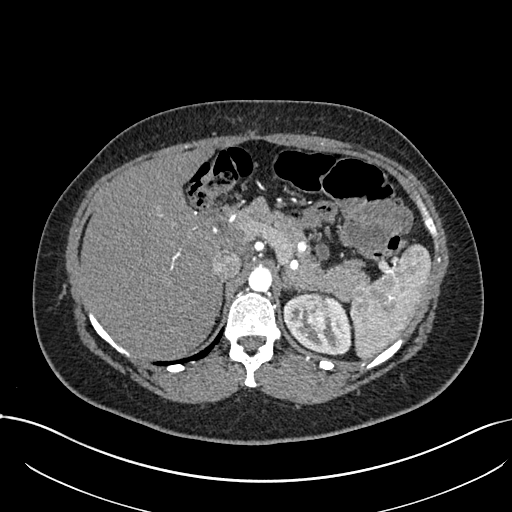
Abdominal CT with intravenous contrast, arterial phase, axial plane, 120 kVp, kernel I30f. Slice 532/738 from the bottom of the scan; thickness 1.00 mm; pixel size 0.789 mm.
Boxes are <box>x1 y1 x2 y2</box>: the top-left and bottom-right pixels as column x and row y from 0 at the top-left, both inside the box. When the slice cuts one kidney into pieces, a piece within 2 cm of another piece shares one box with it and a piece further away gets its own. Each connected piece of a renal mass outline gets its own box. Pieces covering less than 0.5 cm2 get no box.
Two boxes on this slice (one kidney box and one renal mass box), listed by box centre from the image's left to its right. (1) Left renal mass: <box>304 293 328 332</box> (outlined area 786 px, about 4.9 cm2). (2) Left kidney: <box>282 291 351 354</box> (outlined area 2,583 px, about 16.1 cm2).